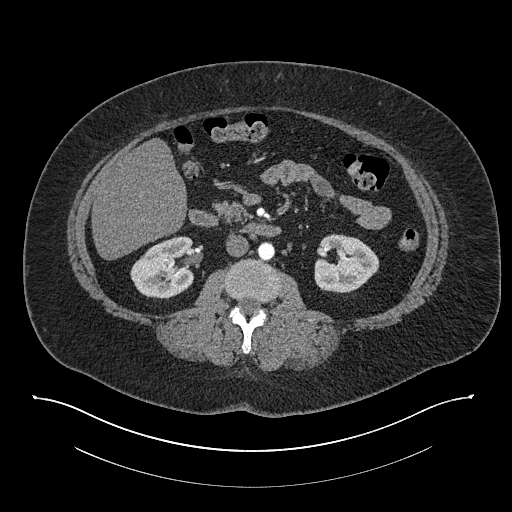
Arterial-phase contrast-enhanced abdominal CT, axial slice 429 of 673 (counted from the lowest slice); tube voltage 140 kVp, convolution kernel I30f; slices 1.00 mm thick, 0.957 mm per pixel.
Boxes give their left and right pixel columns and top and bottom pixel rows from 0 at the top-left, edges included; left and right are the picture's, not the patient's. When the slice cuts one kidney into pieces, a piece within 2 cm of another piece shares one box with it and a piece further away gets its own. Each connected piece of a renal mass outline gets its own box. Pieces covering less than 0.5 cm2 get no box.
Boxed on this slice (two kidney boxes), listed by box centre from the image's left to its right: (1) Right kidney, the box with left 130, top 236, right 194, bottom 298 (outlined area 3,053 px, about 28.0 cm2). (2) Box with left 314, top 234, right 379, bottom 293: left kidney (outlined area 2,932 px, about 26.9 cm2). This slice carries no renal mass outline.